Axial slice 420 of 735 of a contrast-enhanced abdominal CT in the arterial phase (slice 1 is the lowest), 120 kVp, kernel I30f; 1.00 mm slice thickness and 0.789 mm pixels.
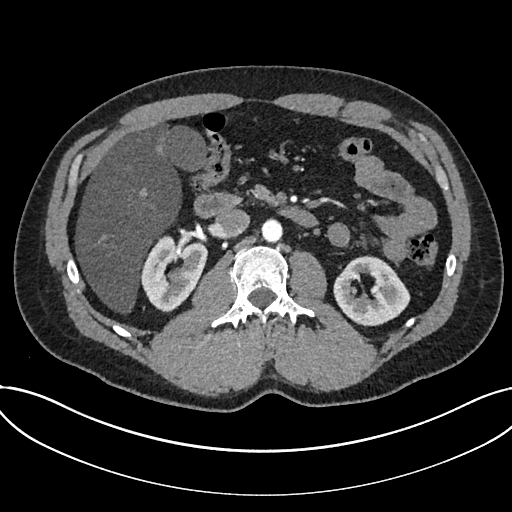
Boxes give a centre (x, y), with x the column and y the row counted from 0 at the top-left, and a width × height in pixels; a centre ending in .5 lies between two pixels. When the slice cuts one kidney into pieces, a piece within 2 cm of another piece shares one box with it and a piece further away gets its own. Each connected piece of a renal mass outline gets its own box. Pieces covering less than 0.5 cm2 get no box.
Two kidney boxes on this slice; by box centre, from the image's left to its right: (1) Kidney in a box with centre (173.5, 273), 68 × 79 pixels (outlined area 3,610 px, about 22.5 cm2). (2) Kidney, box centre (371.5, 290.5), 78 × 72 pixels (outlined area 3,700 px, about 23.0 cm2). This slice carries no renal mass outline.